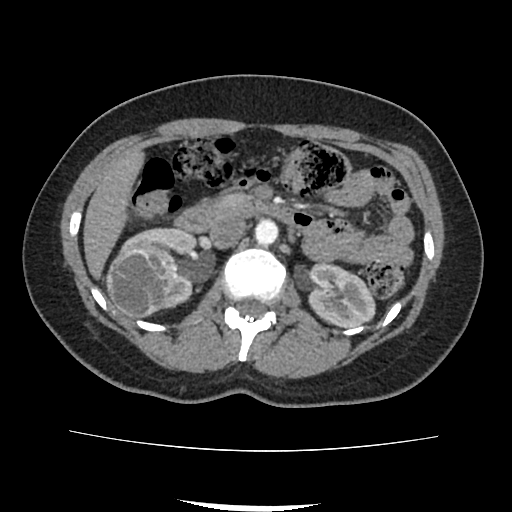
Abdominal CT with intravenous contrast, axial plane, 120 kVp, kernel FC18. Slice 50/103 from the bottom of the scan; thickness 3.00 mm; pixel size 0.714 mm.
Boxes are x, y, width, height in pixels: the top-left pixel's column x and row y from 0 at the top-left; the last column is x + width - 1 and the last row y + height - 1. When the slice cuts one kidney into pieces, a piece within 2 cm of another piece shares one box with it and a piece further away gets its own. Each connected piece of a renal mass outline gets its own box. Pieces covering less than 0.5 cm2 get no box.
Two kidney boxes and one renal mass box on this slice; by box centre, from the image's left to its right: (1) Right renal mass, box x 106, y 244, width 71, height 75 (outlined area 4,058 px, about 20.7 cm2). (2) Right kidney, box x 119, y 227, width 79, height 82 (outlined area 2,466 px, about 12.6 cm2). (3) Left kidney at x 306, y 262, width 70, height 67 (outlined area 3,492 px, about 17.8 cm2).